Arterial-phase contrast-enhanced abdominal CT, axial slice 281 of 512 (counted from the lowest slice); tube voltage 120 kVp, convolution kernel B30f; slices 1.00 mm thick, 0.771 mm per pixel.
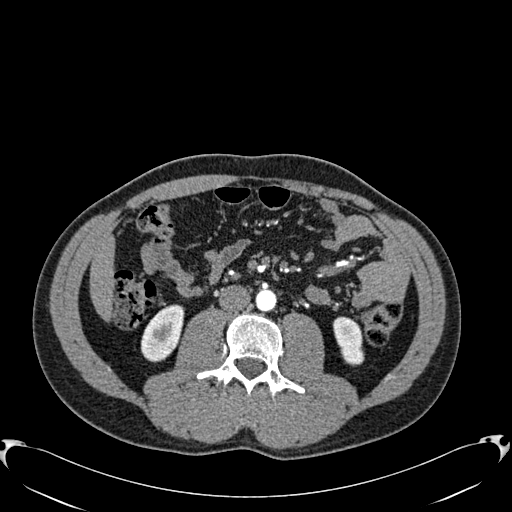
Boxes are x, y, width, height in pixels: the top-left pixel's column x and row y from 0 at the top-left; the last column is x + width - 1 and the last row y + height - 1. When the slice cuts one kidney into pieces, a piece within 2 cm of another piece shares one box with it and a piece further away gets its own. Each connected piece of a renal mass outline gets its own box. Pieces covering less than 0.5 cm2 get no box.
Two boxes on this slice (two kidney boxes), listed by box centre from the image's left to its right. (1) Right kidney at x 140, y 304, width 45, height 59 (outlined area 1,801 px, about 10.7 cm2). (2) Left kidney at x 332, y 316, width 33, height 50 (outlined area 1,155 px, about 6.9 cm2). No renal mass outline on this slice.